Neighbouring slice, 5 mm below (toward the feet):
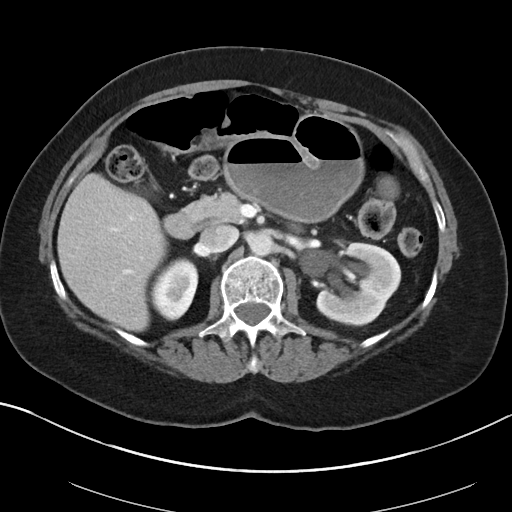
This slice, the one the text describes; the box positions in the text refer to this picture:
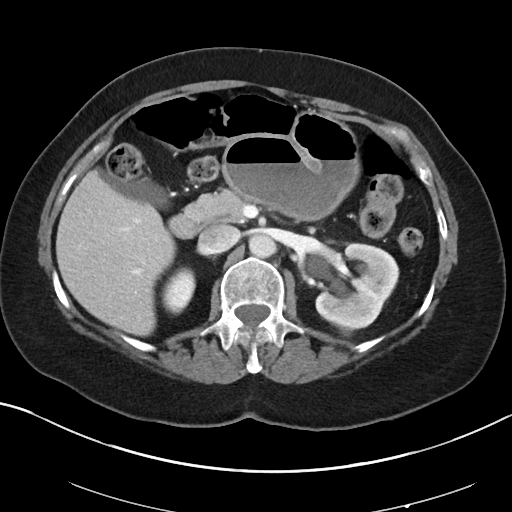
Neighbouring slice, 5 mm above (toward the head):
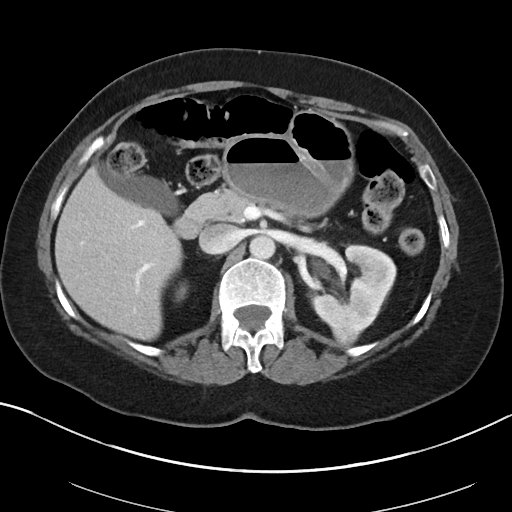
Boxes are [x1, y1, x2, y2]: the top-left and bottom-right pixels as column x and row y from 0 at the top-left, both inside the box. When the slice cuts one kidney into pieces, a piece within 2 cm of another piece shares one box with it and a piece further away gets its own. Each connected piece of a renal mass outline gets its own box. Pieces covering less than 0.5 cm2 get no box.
Slice 60/88 of a contrast-enhanced abdominal CT in the arterial phase, counting up from the lowest; pixel size 0.705 mm, slice thickness 5.00 mm. Boxed on this slice (two kidney boxes and one renal mass box), listed by box centre from the image's left to its right: (1) Right kidney, box [161, 267, 195, 314] (outlined area 1,188 px, about 5.9 cm2). (2) Box [340, 324, 353, 335]: left renal mass (outlined area 128 px, about 0.6 cm2). (3) Left kidney at [315, 243, 399, 329] (outlined area 4,969 px, about 24.7 cm2). This slice lies near the end of the left renal mass toward the feet; the slices 5 mm below and 5 mm above it are shown too, and the boxes mark positions on this slice only.
Acquired at 100 kVp and reconstructed with the I40f kernel.